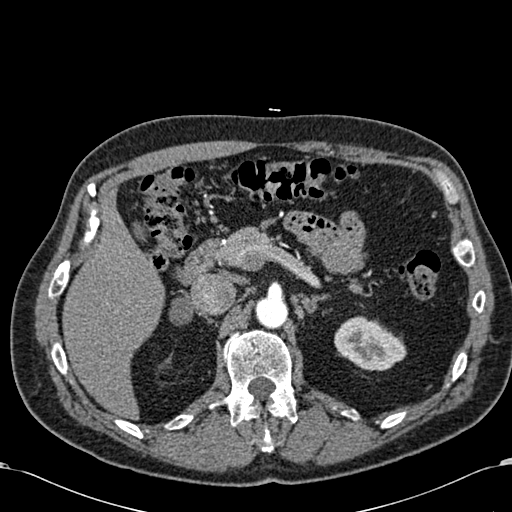
Axial slice 424 of 581 of a contrast-enhanced abdominal CT in the arterial phase (slice 1 is the lowest), 120 kVp, kernel B30f; 1.00 mm slice thickness and 0.713 mm pixels.
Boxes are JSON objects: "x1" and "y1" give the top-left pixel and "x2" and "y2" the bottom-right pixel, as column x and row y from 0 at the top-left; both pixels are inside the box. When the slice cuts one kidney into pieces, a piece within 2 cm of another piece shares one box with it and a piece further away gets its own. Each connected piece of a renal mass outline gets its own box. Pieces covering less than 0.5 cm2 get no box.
Left kidney at {"x1": 334, "y1": 316, "x2": 406, "y2": 370} (outlined area 2,810 px, about 14.3 cm2). No renal mass outline on this slice.